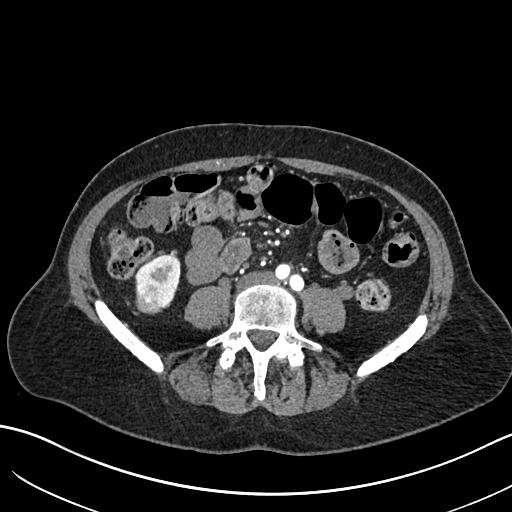
Arterial-phase contrast-enhanced abdominal CT, axial slice 258 of 683 (counted from the lowest slice); tube voltage 120 kVp, convolution kernel I30f; slices 1.00 mm thick, 0.738 mm per pixel.
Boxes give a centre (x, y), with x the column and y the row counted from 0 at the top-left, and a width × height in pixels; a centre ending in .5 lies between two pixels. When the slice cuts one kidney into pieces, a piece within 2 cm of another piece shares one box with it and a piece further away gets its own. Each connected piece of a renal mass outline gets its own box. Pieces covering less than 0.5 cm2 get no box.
Two boxes on this slice (one kidney box and one renal mass box), listed by box centre from the image's left to its right. (1) Box centre (149, 297.5), 29 × 30 pixels: right renal mass (outlined area 721 px, about 3.9 cm2). (2) Right kidney in a box with centre (157.5, 281.5), 46 × 56 pixels (outlined area 1,468 px, about 8.0 cm2).